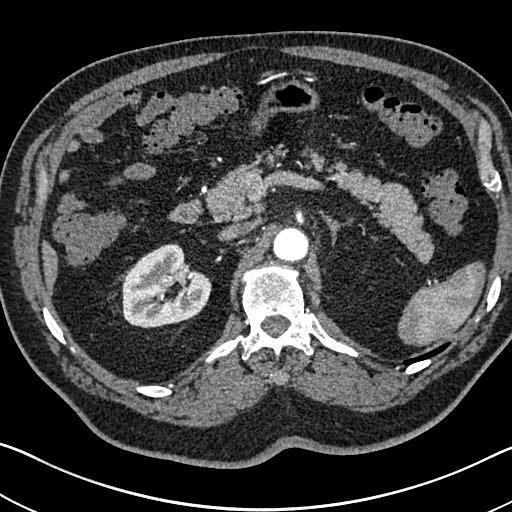
Arterial-phase contrast-enhanced abdominal CT, axial slice 484 of 705 (counted from the lowest slice); tube voltage 120 kVp, convolution kernel I30f; slices 1.00 mm thick, 0.703 mm per pixel.
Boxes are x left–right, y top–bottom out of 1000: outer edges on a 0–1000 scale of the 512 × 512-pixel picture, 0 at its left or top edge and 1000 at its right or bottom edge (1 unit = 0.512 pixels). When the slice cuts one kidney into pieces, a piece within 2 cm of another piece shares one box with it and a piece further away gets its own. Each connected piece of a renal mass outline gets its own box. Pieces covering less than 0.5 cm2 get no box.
Box x 238–414, y 475–643 out of 1000: right kidney (outlined area 5,428 px, about 26.8 cm2). This slice carries no renal mass outline.